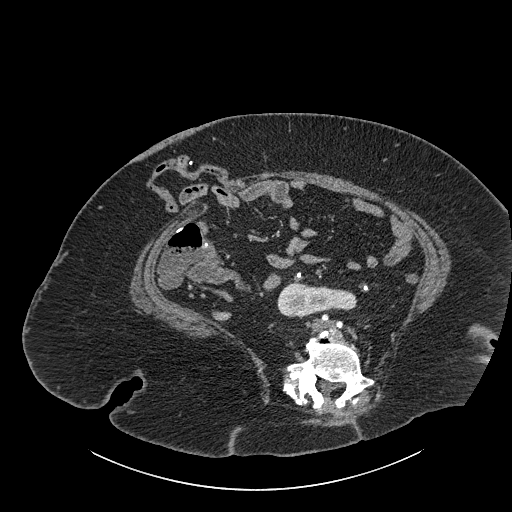
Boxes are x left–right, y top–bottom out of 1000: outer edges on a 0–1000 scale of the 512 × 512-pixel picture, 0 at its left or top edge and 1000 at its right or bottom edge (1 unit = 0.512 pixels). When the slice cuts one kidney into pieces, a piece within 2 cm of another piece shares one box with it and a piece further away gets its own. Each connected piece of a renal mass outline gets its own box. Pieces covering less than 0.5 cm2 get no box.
Contrast-enhanced abdominal CT, axial slice 405 of 834 (counted from the lowest slice); 1.00 mm thick, 0.977 mm per pixel. Kidney crossing the body midline at x 541–699, y 553–623 out of 1000 (outlined area 2,057 px, about 19.6 cm2). No renal mass is outlined on this slice.
Acquired at 140 kVp and reconstructed with the I30f kernel.